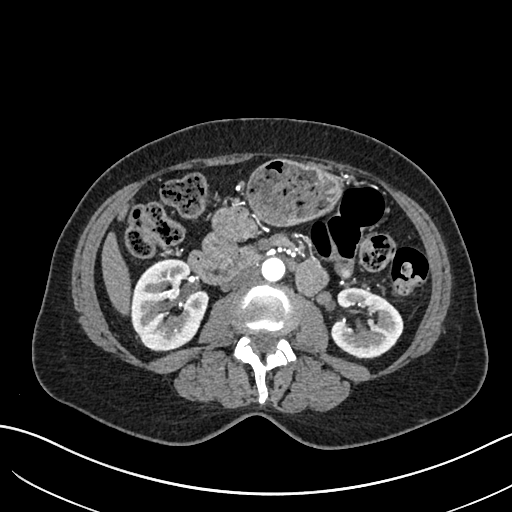
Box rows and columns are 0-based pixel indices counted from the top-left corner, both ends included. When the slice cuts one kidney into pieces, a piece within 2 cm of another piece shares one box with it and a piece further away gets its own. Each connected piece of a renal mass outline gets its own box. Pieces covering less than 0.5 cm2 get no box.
This is axial slice 342 of 683 (slice 1 is the lowest) of an arterial-phase abdominal CT with contrast; each pixel is 0.738 mm and the slice is 1.00 mm thick. Boxed on this slice (two kidney boxes), listed by box centre from the image's left to its right: (1) Box rows 258–350, columns 130–208: right kidney (outlined area 5,475 px, about 29.8 cm2). (2) Left kidney at rows 288–358, columns 329–403 (outlined area 3,715 px, about 20.2 cm2). This slice carries no renal mass outline.
Acquired at 120 kVp and reconstructed with the I30f kernel.